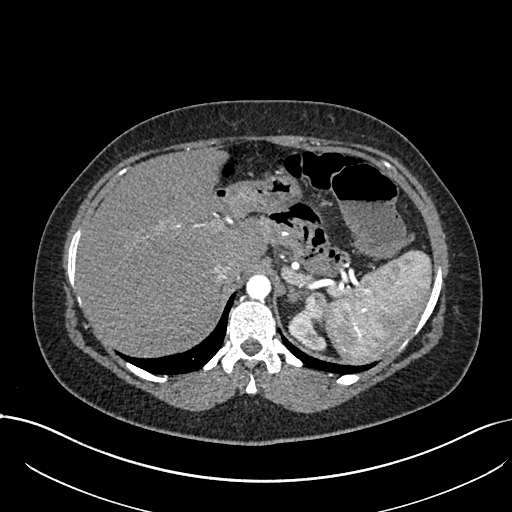
Arterial-phase contrast-enhanced abdominal CT, axial slice 569 of 738 (counted from the lowest slice); tube voltage 120 kVp, convolution kernel I30f; slices 1.00 mm thick, 0.789 mm per pixel.
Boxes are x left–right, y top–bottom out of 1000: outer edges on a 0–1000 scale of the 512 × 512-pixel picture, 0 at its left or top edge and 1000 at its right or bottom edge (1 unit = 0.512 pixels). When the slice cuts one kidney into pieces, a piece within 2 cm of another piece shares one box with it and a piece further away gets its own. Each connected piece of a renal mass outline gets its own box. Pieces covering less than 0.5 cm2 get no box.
Two boxes on this slice (one kidney box and one renal mass box), listed by box centre from the image's left to its right. (1) Left kidney at x 563–639, y 609–688 out of 1000 (outlined area 765 px, about 4.8 cm2). (2) Box x 584–639, y 566–641 out of 1000: left renal mass (outlined area 716 px, about 4.5 cm2).